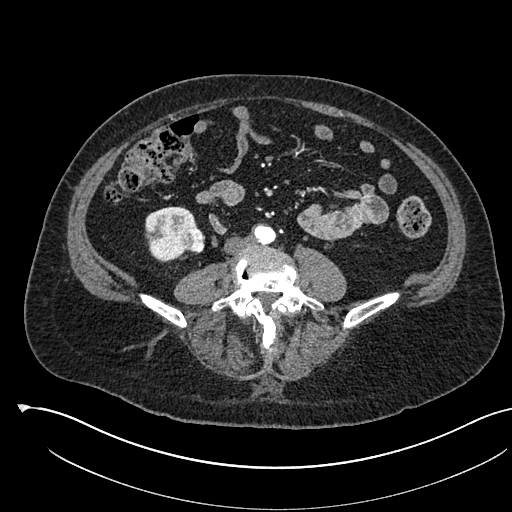
One axial slice (199 of 541, counting up from the lowest) of an arterial-phase abdominal CT acquired with 120 kVp, kernel I30f; each pixel is 0.834 mm and the slice is 1.00 mm thick.
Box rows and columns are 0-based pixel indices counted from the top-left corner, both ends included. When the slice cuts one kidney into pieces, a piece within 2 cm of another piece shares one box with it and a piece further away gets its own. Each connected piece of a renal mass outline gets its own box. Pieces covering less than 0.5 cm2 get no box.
Two boxes on this slice (one kidney box and one renal mass box), listed by box centre from the image's left to its right. (1) Box rows 206–262, columns 145–197: right kidney (outlined area 2,109 px, about 14.7 cm2). (2) Box rows 228–253, columns 182–205: right renal mass (outlined area 478 px, about 3.3 cm2).